Abdominal CT with intravenous contrast, arterial phase, axial plane, 120 kVp, kernel B30f. Slice 154/274 from the bottom of the scan; thickness 2.00 mm; pixel size 0.809 mm.
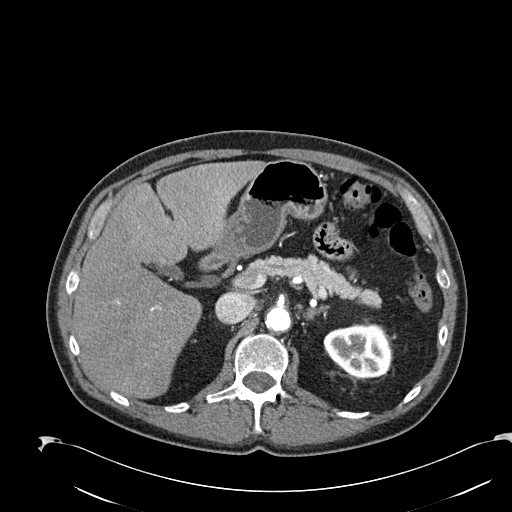
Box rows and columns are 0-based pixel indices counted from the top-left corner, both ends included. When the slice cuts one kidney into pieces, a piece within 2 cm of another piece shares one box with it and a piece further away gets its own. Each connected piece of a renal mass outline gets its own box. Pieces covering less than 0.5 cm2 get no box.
Left kidney, box rows 324–378, columns 323–391 (outlined area 2,966 px, about 19.4 cm2). This slice carries no renal mass outline.